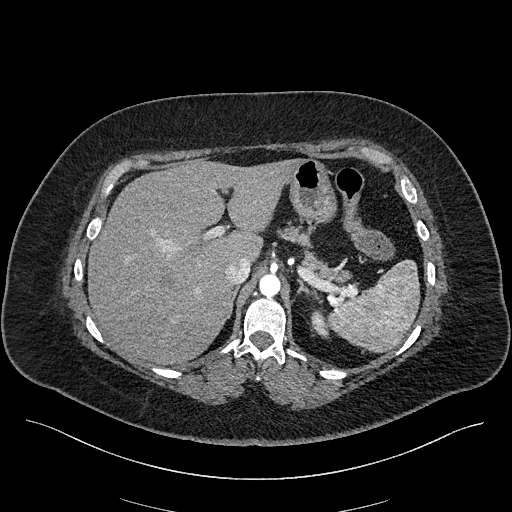
Axial slice 169 of 270 of a contrast-enhanced abdominal CT in the arterial phase (slice 1 is the lowest), 100 kVp, kernel I40f; 2.00 mm slice thickness and 0.855 mm pixels.
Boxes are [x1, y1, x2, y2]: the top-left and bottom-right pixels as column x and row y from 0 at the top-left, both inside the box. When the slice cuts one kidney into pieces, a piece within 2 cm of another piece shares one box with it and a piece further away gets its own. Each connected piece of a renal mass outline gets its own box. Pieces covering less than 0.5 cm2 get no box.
Box [311, 310, 329, 338]: left kidney (outlined area 365 px, about 2.7 cm2). No renal mass outline on this slice.